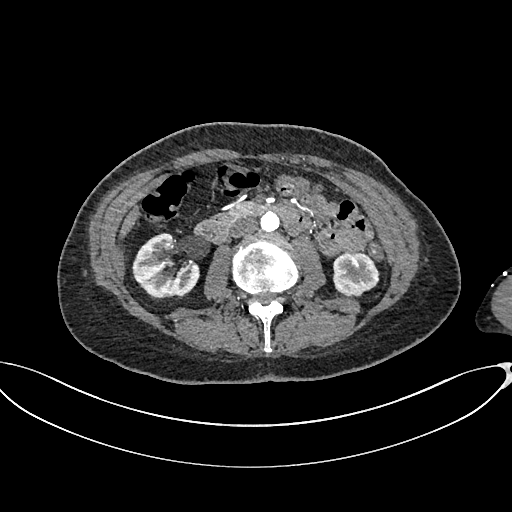
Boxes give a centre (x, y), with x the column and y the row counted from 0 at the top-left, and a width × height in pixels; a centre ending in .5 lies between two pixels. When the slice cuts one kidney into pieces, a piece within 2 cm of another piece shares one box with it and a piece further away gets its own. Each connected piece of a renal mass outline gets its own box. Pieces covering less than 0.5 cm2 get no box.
This is axial slice 346 of 665 (slice 1 is the lowest) of an arterial-phase abdominal CT with contrast; each pixel is 0.828 mm and the slice is 1.00 mm thick. Boxed on this slice (two kidney boxes), listed by box centre from the image's left to its right: (1) Box centre (165.5, 265.5), 68 × 66 pixels: right kidney (outlined area 3,112 px, about 21.3 cm2). (2) Box centre (355.5, 274.5), 46 × 44 pixels: left kidney (outlined area 1,662 px, about 11.4 cm2). No renal mass outline on this slice.
Tube voltage 100 kVp; convolution kernel I26f.